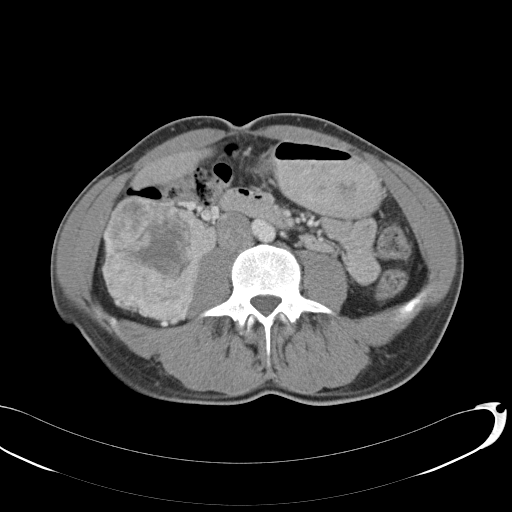
Contrast-enhanced abdominal CT, axial slice 54 of 146 (counted from the lowest slice); tube voltage 120 kVp, convolution kernel B31f; slices 5.00 mm thick, 0.742 mm per pixel.
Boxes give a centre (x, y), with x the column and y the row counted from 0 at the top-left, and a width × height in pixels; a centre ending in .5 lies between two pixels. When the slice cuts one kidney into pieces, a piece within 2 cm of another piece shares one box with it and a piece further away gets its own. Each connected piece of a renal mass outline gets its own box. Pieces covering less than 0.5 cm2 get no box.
Right renal mass in a box with centre (159, 258.5), 117 × 126 pixels (outlined area 10,618 px, about 58.5 cm2); this slice has no kidney outline, though on another slice the same outlined renal mass lies within 1 cm of the kidney.